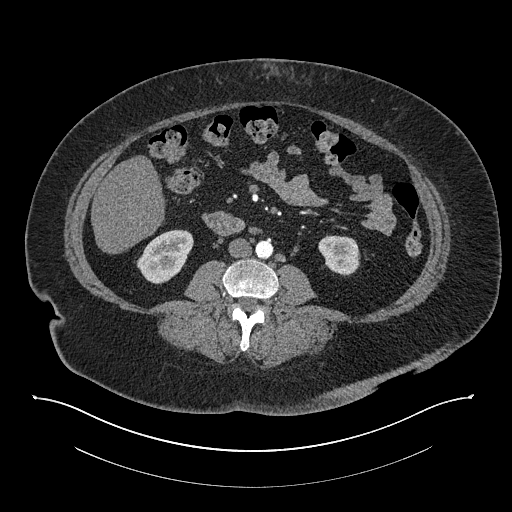
Axial slice 369 of 673 of a contrast-enhanced abdominal CT in the arterial phase (slice 1 is the lowest), 140 kVp, kernel I30f; 1.00 mm slice thickness and 0.957 mm pixels.
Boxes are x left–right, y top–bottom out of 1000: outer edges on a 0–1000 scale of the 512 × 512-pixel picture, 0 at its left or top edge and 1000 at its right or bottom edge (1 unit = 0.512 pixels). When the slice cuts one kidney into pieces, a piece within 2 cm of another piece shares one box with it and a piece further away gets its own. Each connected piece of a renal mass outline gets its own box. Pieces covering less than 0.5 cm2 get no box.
Two boxes on this slice (two kidney boxes), listed by box centre from the image's left to its right. (1) Right kidney at x 266–379, y 447–557 out of 1000 (outlined area 2,131 px, about 19.5 cm2). (2) Left kidney at x 621–705, y 459–539 out of 1000 (outlined area 1,335 px, about 12.2 cm2). This slice carries no renal mass outline.